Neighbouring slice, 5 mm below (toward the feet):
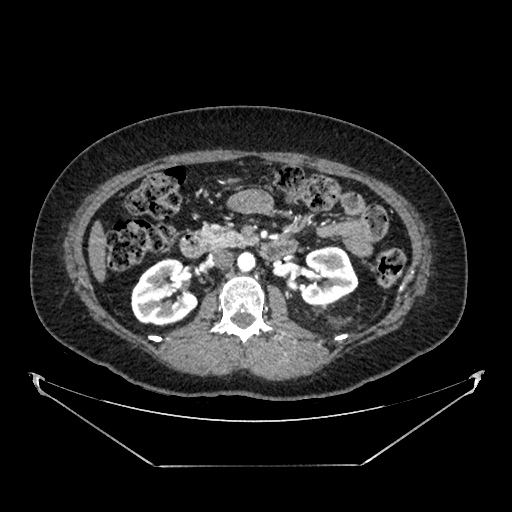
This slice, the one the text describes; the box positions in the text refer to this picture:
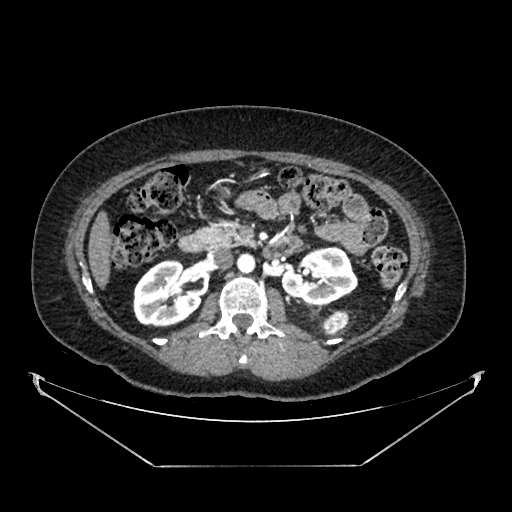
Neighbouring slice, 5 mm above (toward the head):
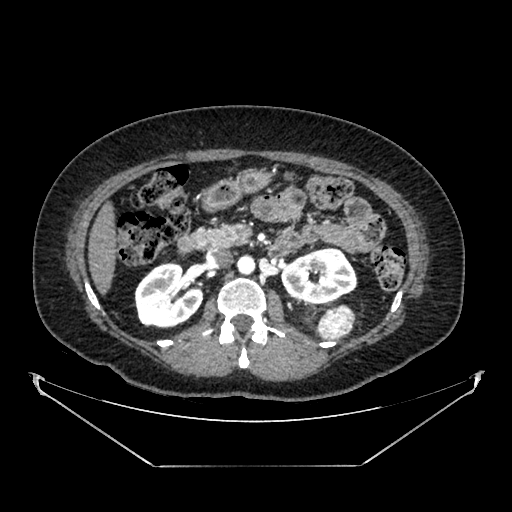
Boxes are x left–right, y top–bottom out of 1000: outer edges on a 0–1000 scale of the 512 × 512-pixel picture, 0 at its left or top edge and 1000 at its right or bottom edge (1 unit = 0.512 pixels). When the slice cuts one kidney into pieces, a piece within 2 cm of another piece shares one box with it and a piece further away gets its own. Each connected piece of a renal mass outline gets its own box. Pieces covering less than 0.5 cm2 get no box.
This is axial slice 230 of 383 (slice 1 is the lowest) of an arterial-phase abdominal CT with contrast; each pixel is 0.898 mm and the slice is 1.25 mm thick. Three boxes on this slice (two kidney boxes and one renal mass box), listed by box centre from the image's left to its right. (1) Right kidney, box x 258–396, y 506–641 out of 1000 (outlined area 3,506 px, about 28.3 cm2). (2) Left kidney at x 549–701, y 482–598 out of 1000 (outlined area 3,291 px, about 26.6 cm2). (3) Left renal mass at x 625–684, y 605–654 out of 1000 (outlined area 504 px, about 4.1 cm2). This slice is near the end of the left renal mass toward the feet, so the slices 5 mm below and 5 mm above it are shown as well; the boxes refer to this slice only.
Acquired at 100 kVp and reconstructed with the SOFT kernel.